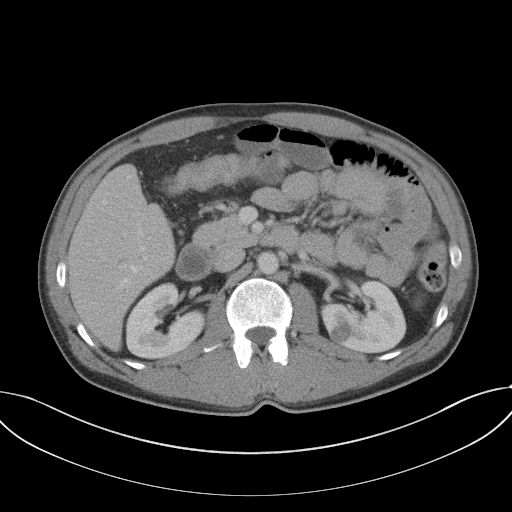
Axial slice 67 of 102 of a contrast-enhanced abdominal CT (slice 1 is the lowest), 120 kVp, kernel B41f; 5.00 mm slice thickness and 0.807 mm pixels.
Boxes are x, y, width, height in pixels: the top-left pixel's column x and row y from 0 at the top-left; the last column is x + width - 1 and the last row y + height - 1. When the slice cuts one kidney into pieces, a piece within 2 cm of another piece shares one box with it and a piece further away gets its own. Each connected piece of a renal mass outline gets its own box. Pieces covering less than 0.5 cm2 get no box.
Three boxes on this slice (two kidney boxes and one renal mass box), listed by box centre from the image's left to its right. (1) Right kidney, box x 125, y 282, width 80, height 78 (outlined area 4,288 px, about 27.9 cm2). (2) Box x 330, y 322, width 21, height 24: left renal mass (outlined area 357 px, about 2.3 cm2). (3) Left kidney, box x 320, y 278, width 87, height 77 (outlined area 4,307 px, about 28.0 cm2).